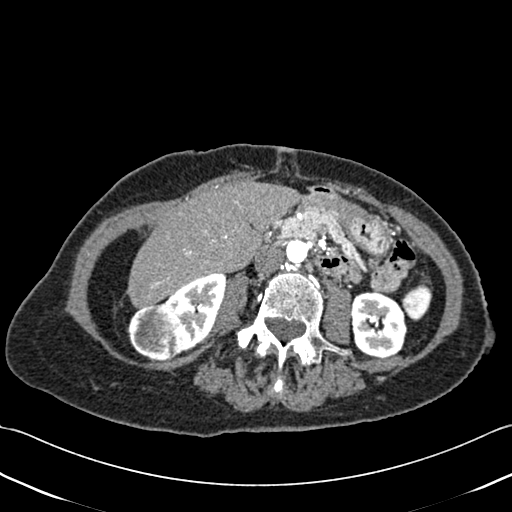
One axial slice (203 of 433, counting up from the lowest) of a contrast-enhanced abdominal CT acquired with 120 kVp, kernel B30f; each pixel is 0.672 mm and the slice is 1.00 mm thick.
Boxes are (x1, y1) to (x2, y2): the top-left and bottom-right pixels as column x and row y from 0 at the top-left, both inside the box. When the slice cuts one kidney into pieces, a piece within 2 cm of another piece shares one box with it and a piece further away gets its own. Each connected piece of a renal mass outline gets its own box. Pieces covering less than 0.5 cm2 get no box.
Boxed on this slice (two kidney boxes and one renal mass box), listed by box centre from the image's left to its right: (1) Right renal mass from (127, 304) to (181, 360) (outlined area 2,459 px, about 11.1 cm2). (2) Box (161, 273) to (225, 352): right kidney (outlined area 2,914 px, about 13.2 cm2). (3) Left kidney, box (351, 291) to (407, 358) (outlined area 3,094 px, about 14.0 cm2).